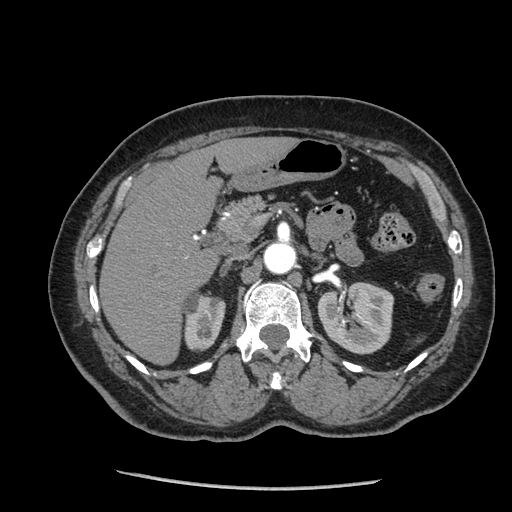
Arterial-phase contrast-enhanced abdominal CT, axial slice 144 of 233 (counted from the lowest slice); tube voltage 120 kVp, convolution kernel STANDARD; slices 1.25 mm thick, 0.703 mm per pixel.
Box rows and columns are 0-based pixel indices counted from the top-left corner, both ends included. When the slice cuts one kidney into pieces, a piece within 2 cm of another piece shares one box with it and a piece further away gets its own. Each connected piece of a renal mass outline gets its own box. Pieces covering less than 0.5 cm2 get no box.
Two boxes on this slice (two kidney boxes), listed by box centre from the image's left to its right. (1) Box rows 290–351, columns 182–225: right kidney (outlined area 2,084 px, about 10.3 cm2). (2) Left kidney at rows 281–354, columns 317–394 (outlined area 4,359 px, about 21.6 cm2). No renal mass outline on this slice.